One axial slice (23 of 75, counting up from the lowest) of a contrast-enhanced abdominal CT acquired with 140 kVp, kernel B30f; each pixel is 0.875 mm and the slice is 3.00 mm thick.
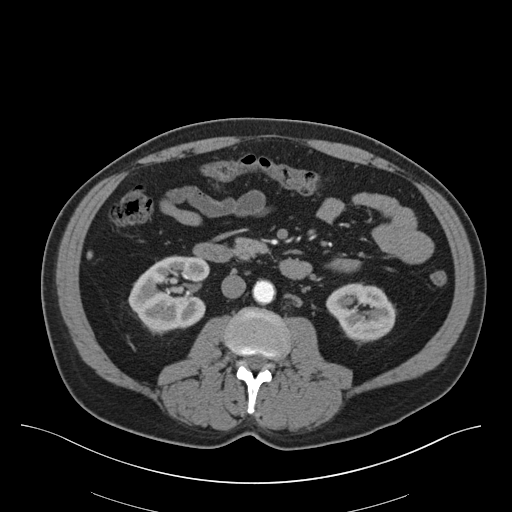
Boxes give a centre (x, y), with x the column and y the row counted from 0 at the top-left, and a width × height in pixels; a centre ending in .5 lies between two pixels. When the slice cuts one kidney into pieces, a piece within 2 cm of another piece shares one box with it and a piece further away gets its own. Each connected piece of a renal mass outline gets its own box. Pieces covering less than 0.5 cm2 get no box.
Two kidney boxes on this slice; by box centre, from the image's left to its right: (1) Right kidney, box centre (168.5, 294.5), 82 × 80 pixels (outlined area 4,674 px, about 35.8 cm2). (2) Box centre (360.5, 313.5), 70 × 62 pixels: left kidney (outlined area 3,048 px, about 23.3 cm2). No renal mass is outlined on this slice.